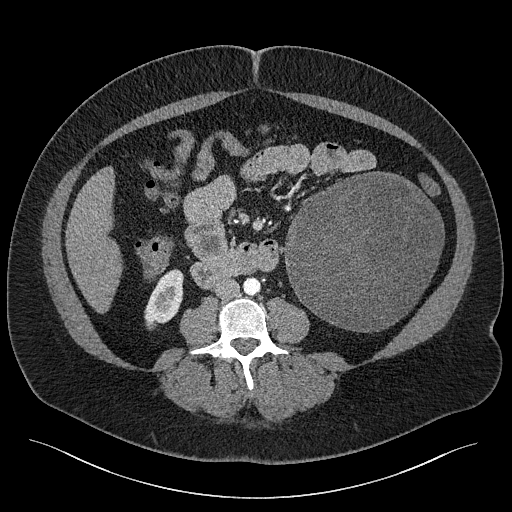
Abdominal CT with intravenous contrast, axial plane, 120 kVp, kernel I40f. Slice 91/301 from the bottom of the scan; thickness 2.00 mm; pixel size 0.859 mm.
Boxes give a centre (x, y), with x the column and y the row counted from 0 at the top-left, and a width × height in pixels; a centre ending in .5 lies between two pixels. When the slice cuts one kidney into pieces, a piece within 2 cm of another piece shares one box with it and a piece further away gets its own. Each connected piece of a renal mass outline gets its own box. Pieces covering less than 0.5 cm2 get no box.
Two boxes on this slice (one kidney box and one renal mass box), listed by box centre from the image's left to its right. (1) Right kidney, box centre (163.5, 298.5), 40 × 60 pixels (outlined area 1,590 px, about 11.7 cm2). (2) Box centre (363.5, 251.5), 162 × 162 pixels: left renal mass (outlined area 19,568 px, about 144.5 cm2); here it is more than 1 cm from any kidney outline, though on another slice the same outlined renal mass lies within 1 cm of the kidney.